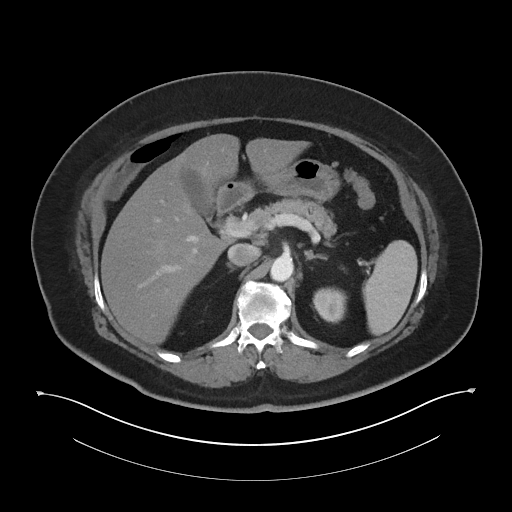
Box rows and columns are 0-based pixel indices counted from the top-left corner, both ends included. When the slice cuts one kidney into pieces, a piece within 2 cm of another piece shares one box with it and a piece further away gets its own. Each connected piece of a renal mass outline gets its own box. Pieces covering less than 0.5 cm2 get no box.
This is axial slice 32 of 60 (slice 1 is the lowest) of an abdominal CT with contrast; each pixel is 0.971 mm and the slice is 5.00 mm thick. Left kidney at rows 287–323, columns 312–347 (outlined area 991 px, about 9.3 cm2). This slice carries no renal mass outline.
Scan settings: 120 kVp, I30f reconstruction kernel.